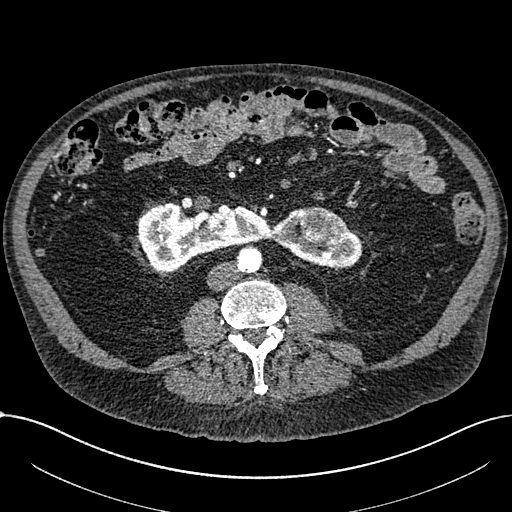
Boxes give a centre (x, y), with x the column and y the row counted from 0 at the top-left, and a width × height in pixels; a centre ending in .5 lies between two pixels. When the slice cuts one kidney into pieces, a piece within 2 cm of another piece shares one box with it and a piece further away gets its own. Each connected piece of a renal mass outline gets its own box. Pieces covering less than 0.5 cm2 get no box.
This is axial slice 307 of 1059 (slice 1 is the lowest) of an arterial-phase abdominal CT with contrast; each pixel is 0.811 mm and the slice is 1.00 mm thick. Two boxes on this slice (one kidney box and one renal mass box), listed by box centre from the image's left to its right. (1) Box centre (249.5, 236.5), 226 × 70 pixels: kidney crossing the body midline (outlined area 8,681 px, about 57.0 cm2). (2) Renal mass, box centre (322, 225), 47 × 39 pixels (outlined area 1,374 px, about 9.0 cm2).
Scan settings: 100 kVp, I30f reconstruction kernel.